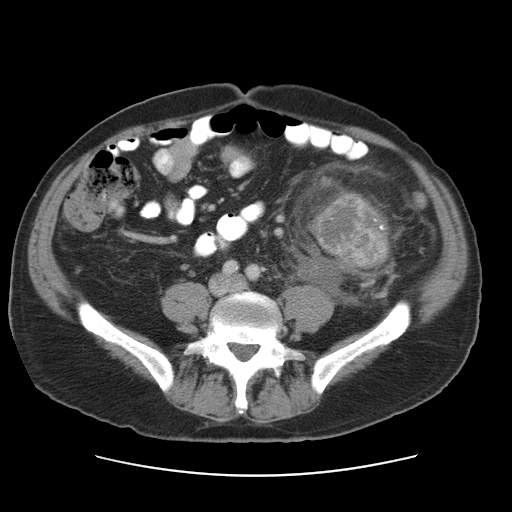
One axial slice (43 of 95, counting up from the lowest) of a contrast-enhanced abdominal CT acquired with 120 kVp, kernel STANDARD; each pixel is 0.781 mm and the slice is 5.00 mm thick.
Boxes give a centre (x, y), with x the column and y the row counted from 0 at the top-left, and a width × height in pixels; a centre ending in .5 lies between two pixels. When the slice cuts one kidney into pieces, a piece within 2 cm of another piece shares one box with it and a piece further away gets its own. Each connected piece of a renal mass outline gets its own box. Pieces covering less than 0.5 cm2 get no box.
Left renal mass, box centre (349.5, 229.5), 84 × 76 pixels (outlined area 4,492 px, about 27.4 cm2); no kidney is outlined on this slice, but the same outlined renal mass comes within 1 cm of the kidney on another slice.